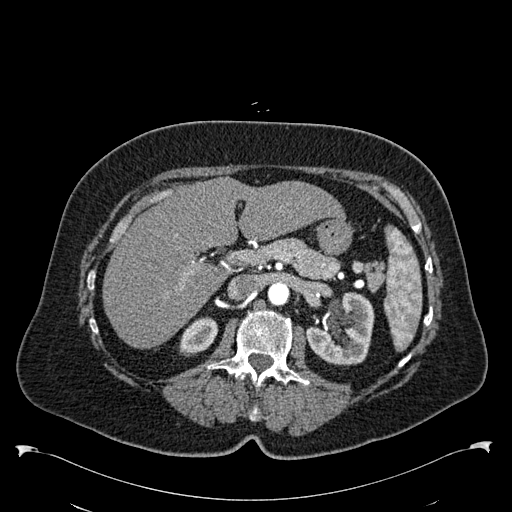
Axial slice 371 of 538 of a contrast-enhanced abdominal CT in the arterial phase (slice 1 is the lowest), 120 kVp, kernel B30f; 1.00 mm slice thickness and 0.811 mm pixels.
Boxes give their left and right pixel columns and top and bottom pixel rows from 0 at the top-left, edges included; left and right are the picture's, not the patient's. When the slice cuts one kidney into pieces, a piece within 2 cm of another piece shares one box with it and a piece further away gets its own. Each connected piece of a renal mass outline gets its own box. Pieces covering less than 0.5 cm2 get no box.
Two boxes on this slice (two kidney boxes), listed by box centre from the image's left to its right. (1) Box with left 179, top 316, right 218, bottom 356: right kidney (outlined area 1,087 px, about 7.1 cm2). (2) Left kidney in the box with left 306, top 291, right 374, bottom 365 (outlined area 3,608 px, about 23.7 cm2). No renal mass outline on this slice.